One axial slice (172 of 301, counting up from the lowest) of a contrast-enhanced abdominal CT acquired with 120 kVp, kernel I40f; each pixel is 0.859 mm and the slice is 2.00 mm thick.
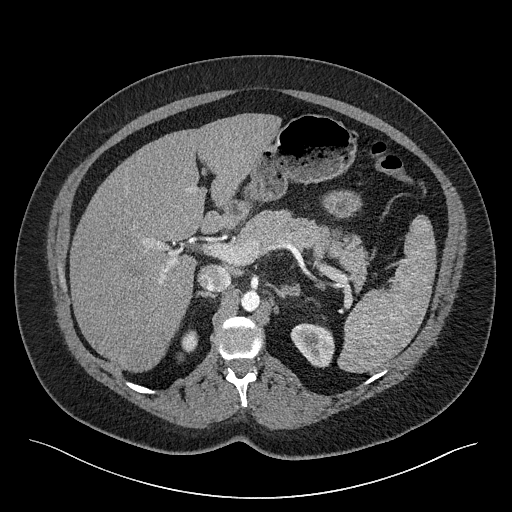
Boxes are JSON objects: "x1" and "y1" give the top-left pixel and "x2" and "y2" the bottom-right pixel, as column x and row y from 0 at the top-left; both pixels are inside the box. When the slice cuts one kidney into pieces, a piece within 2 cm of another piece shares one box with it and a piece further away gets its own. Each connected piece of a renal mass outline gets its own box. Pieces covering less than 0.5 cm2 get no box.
Two kidney boxes on this slice; by box centre, from the image's left to its right: (1) Box {"x1": 181, "y1": 330, "x2": 197, "y2": 353}: right kidney (outlined area 310 px, about 2.3 cm2). (2) Left kidney at {"x1": 290, "y1": 323, "x2": 334, "y2": 367} (outlined area 1,460 px, about 10.8 cm2). No renal mass is outlined on this slice.